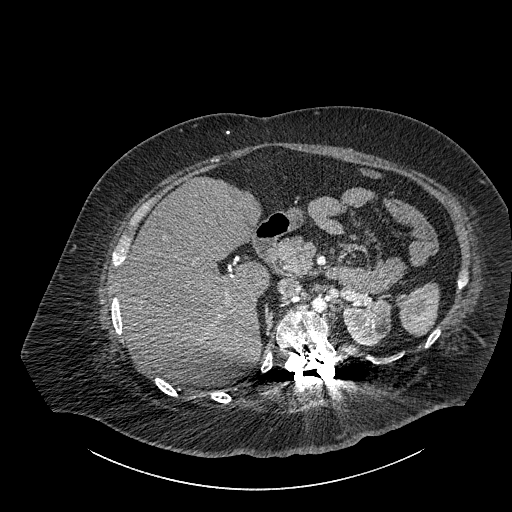
Abdominal CT with intravenous contrast, axial plane, 140 kVp, kernel I30f. Slice 609/834 from the bottom of the scan; thickness 1.00 mm; pixel size 0.977 mm.
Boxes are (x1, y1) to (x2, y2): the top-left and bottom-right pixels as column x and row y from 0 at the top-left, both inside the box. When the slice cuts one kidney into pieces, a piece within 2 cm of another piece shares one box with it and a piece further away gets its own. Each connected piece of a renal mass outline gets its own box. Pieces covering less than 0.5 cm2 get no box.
Box (343, 299) to (390, 346): left part of the midline-crossing kidney (outlined area 1,783 px, about 17.0 cm2). This slice carries no renal mass outline.